One axial slice (234 of 670, counting up from the lowest) of an arterial-phase abdominal CT acquired with 120 kVp, kernel I30f; each pixel is 0.861 mm and the slice is 1.00 mm thick.
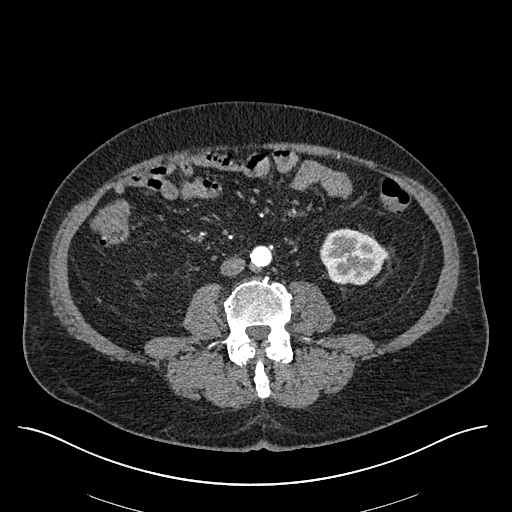
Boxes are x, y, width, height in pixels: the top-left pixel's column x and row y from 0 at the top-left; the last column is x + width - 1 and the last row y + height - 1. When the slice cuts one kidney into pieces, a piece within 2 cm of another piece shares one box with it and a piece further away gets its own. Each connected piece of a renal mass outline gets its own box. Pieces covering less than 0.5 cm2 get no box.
Box x 320, y 228, width 68, height 58: left kidney (outlined area 2,912 px, about 21.6 cm2). No renal mass is outlined on this slice.